Contrast-enhanced abdominal CT, axial slice 550 of 834 (counted from the lowest slice); tube voltage 140 kVp, convolution kernel I30f; slices 1.00 mm thick, 0.977 mm per pixel.
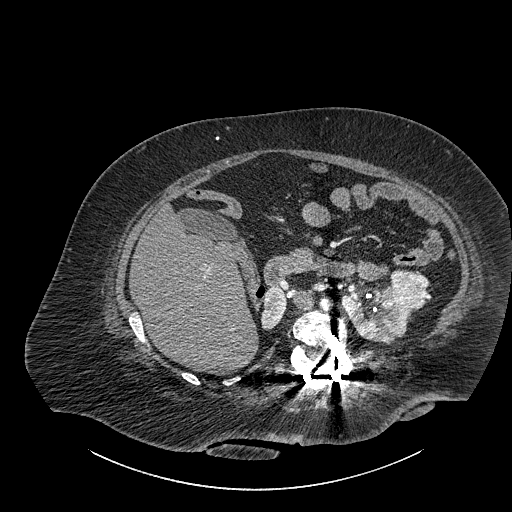
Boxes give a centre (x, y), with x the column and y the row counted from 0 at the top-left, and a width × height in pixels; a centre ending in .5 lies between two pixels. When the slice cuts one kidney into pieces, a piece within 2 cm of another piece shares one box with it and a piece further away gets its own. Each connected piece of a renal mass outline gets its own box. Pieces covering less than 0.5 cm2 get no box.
Three boxes on this slice (two kidney boxes and one renal mass box), listed by box centre from the image's left to its right. (1) Right part of the midline-crossing kidney, box centre (273.5, 308), 26 × 45 pixels (outlined area 864 px, about 8.2 cm2). (2) Left part of the midline-crossing kidney in a box with centre (377, 314.5), 73 × 60 pixels (outlined area 2,604 px, about 24.8 cm2). (3) Renal mass in a box with centre (409, 289), 39 × 41 pixels (outlined area 1,253 px, about 11.9 cm2).